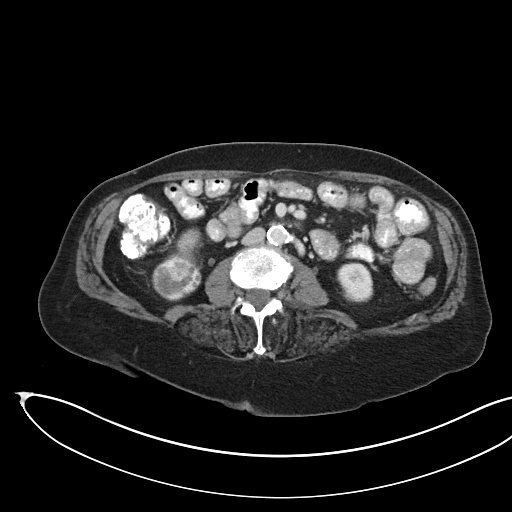
Arterial-phase contrast-enhanced abdominal CT, axial slice 86 of 145 (counted from the lowest slice); tube voltage 100 kVp, convolution kernel I40f; slices 3.00 mm thick, 0.834 mm per pixel.
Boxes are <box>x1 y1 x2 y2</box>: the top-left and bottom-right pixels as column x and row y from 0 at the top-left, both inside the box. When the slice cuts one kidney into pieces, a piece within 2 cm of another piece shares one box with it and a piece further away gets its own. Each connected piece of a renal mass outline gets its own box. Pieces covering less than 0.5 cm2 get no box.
Three boxes on this slice (two kidney boxes and one renal mass box), listed by box centre from the image's left to its right. (1) Renal mass at <box>152 257 201 300</box> (outlined area 1,638 px, about 11.4 cm2). (2) Kidney at <box>168 228 201 267</box> (outlined area 684 px, about 4.8 cm2). (3) Kidney at <box>336 263 372 301</box> (outlined area 1,137 px, about 7.9 cm2).